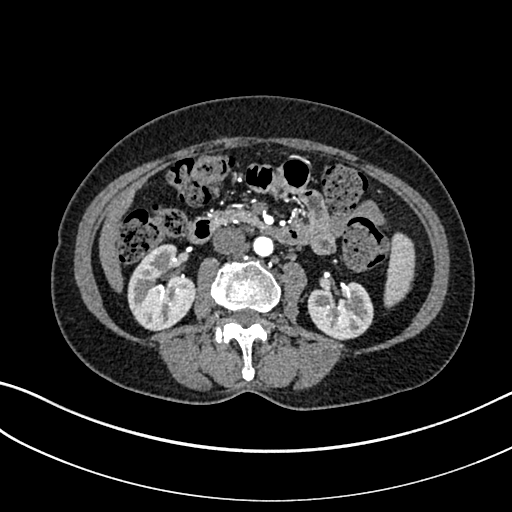
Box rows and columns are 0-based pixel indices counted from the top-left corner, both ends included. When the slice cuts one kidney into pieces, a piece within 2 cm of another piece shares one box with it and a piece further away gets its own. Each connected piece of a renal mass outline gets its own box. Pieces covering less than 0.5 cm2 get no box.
This is axial slice 139 of 325 (slice 1 is the lowest) of an arterial-phase abdominal CT with contrast; each pixel is 0.703 mm and the slice is 1.00 mm thick. Two boxes on this slice (two kidney boxes), listed by box centre from the image's left to its right. (1) Box rows 244–331, columns 127–197: right kidney (outlined area 4,342 px, about 21.5 cm2). (2) Left kidney, box rows 281–340, columns 307–373 (outlined area 3,041 px, about 15.0 cm2). This slice carries no renal mass outline.
Scan settings: 100 kVp, I30f reconstruction kernel.